Abdominal CT with intravenous contrast, arterial phase, axial plane, 100 kVp, kernel I30f. Slice 146/304 from the bottom of the scan; thickness 2.00 mm; pixel size 0.809 mm.
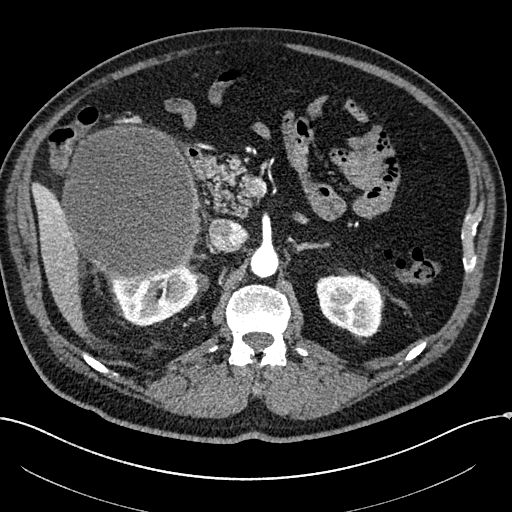
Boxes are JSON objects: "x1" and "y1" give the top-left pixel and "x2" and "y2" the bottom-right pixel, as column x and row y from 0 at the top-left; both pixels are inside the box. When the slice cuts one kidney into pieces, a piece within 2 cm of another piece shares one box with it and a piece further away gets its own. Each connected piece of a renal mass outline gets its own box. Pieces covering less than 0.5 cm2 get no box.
Boxed on this slice (two kidney boxes and one renal mass box), listed by box centre from the image's left to its right: (1) Right renal mass, box {"x1": 60, "y1": 124, "x2": 200, "y2": 281} (outlined area 17,424 px, about 113.9 cm2). (2) Right kidney at {"x1": 109, "y1": 263, "x2": 198, "y2": 326} (outlined area 3,391 px, about 22.2 cm2). (3) Left kidney, box {"x1": 316, "y1": 275, "x2": 382, "y2": 337} (outlined area 3,238 px, about 21.2 cm2).